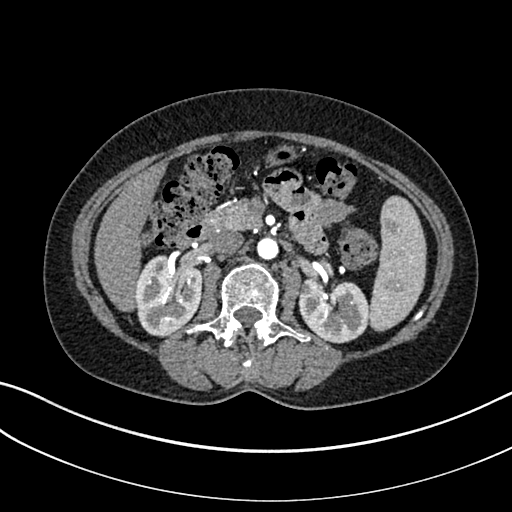
Abdominal CT with intravenous contrast, arterial phase, axial plane, 100 kVp, kernel I30f. Slice 168/325 from the bottom of the scan; thickness 1.00 mm; pixel size 0.703 mm.
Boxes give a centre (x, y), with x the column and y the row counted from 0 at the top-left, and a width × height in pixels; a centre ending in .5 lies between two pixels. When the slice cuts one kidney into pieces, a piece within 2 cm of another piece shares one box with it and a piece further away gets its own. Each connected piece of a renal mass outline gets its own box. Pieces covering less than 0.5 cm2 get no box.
Two kidney boxes on this slice; by box centre, from the image's left to its right: (1) Right kidney in a box with centre (168.5, 295.5), 68 × 84 pixels (outlined area 4,329 px, about 21.4 cm2). (2) Left kidney in a box with centre (333.5, 310.5), 72 × 66 pixels (outlined area 3,674 px, about 18.2 cm2). No renal mass is outlined on this slice.